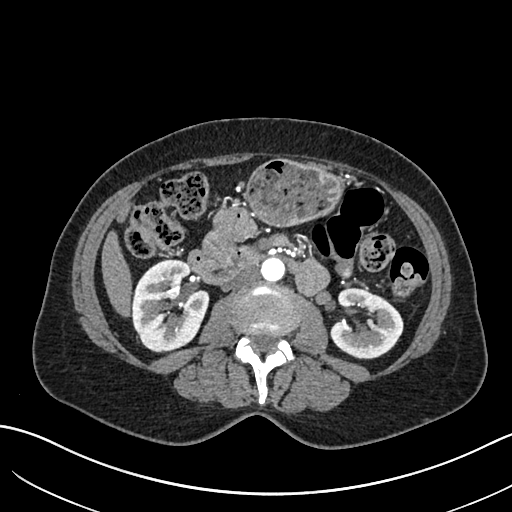
Arterial-phase contrast-enhanced abdominal CT, axial slice 344 of 683 (counted from the lowest slice); tube voltage 120 kVp, convolution kernel I30f; slices 1.00 mm thick, 0.738 mm per pixel.
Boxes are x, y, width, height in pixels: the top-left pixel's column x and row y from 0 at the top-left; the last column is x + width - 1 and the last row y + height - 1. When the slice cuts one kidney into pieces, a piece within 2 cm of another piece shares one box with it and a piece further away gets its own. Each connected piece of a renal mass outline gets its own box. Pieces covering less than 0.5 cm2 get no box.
Boxed on this slice (two kidney boxes), listed by box centre from the image's left to its right: (1) Right kidney, box x 131, y 258, width 79, height 94 (outlined area 5,468 px, about 29.8 cm2). (2) Box x 329, y 288, width 75, height 72: left kidney (outlined area 3,724 px, about 20.3 cm2). No renal mass outline on this slice.